One axial slice (53 of 80, counting up from the lowest) of an arterial-phase abdominal CT acquired with 100 kVp, kernel I40f; each pixel is 0.648 mm and the slice is 5.00 mm thick.
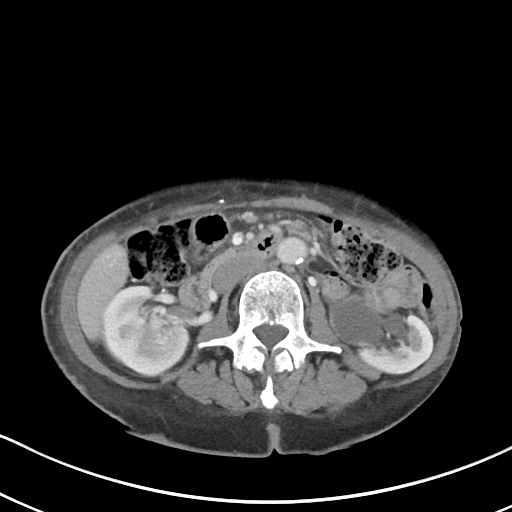
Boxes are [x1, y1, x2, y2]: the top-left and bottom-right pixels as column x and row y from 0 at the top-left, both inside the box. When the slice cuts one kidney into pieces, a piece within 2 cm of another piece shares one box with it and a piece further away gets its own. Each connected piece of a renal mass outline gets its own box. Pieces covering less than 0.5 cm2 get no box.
Two boxes on this slice (two kidney boxes), listed by box centre from the image's left to its right. (1) Right kidney, box [104, 287, 189, 373] (outlined area 5,413 px, about 22.8 cm2). (2) Left kidney, box [331, 298, 431, 373] (outlined area 4,828 px, about 20.3 cm2). No renal mass outline on this slice.